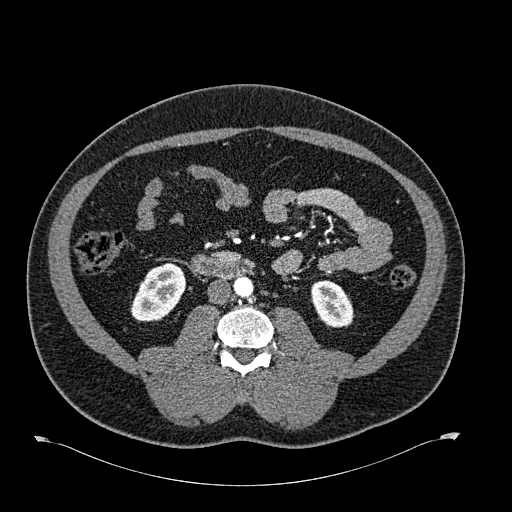
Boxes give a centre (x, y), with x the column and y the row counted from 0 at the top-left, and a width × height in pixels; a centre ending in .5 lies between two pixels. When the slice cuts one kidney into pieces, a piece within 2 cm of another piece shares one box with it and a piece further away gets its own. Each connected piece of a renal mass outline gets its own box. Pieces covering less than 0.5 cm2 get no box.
This is axial slice 292 of 723 (slice 1 is the lowest) of an arterial-phase abdominal CT with contrast; each pixel is 0.895 mm and the slice is 1.00 mm thick. Two kidney boxes on this slice; by box centre, from the image's left to its right: (1) Right kidney in a box with centre (158, 292), 57 × 59 pixels (outlined area 2,312 px, about 18.5 cm2). (2) Box centre (332.5, 303.5), 44 × 48 pixels: left kidney (outlined area 1,566 px, about 12.5 cm2). No renal mass outline on this slice.
Tube voltage 120 kVp; convolution kernel B30f.